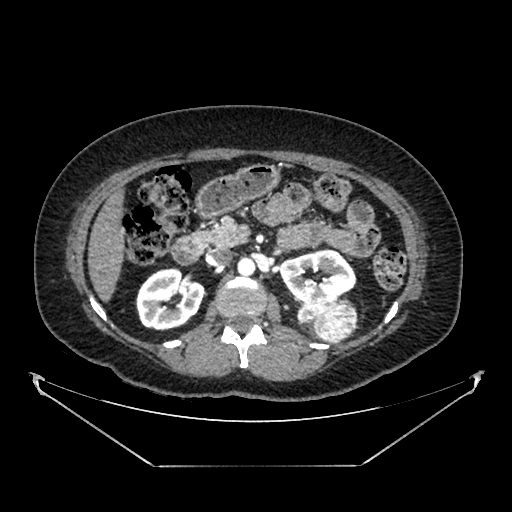
One axial slice (239 of 383, counting up from the lowest) of an arterial-phase abdominal CT acquired with 100 kVp, kernel SOFT; each pixel is 0.898 mm and the slice is 1.25 mm thick.
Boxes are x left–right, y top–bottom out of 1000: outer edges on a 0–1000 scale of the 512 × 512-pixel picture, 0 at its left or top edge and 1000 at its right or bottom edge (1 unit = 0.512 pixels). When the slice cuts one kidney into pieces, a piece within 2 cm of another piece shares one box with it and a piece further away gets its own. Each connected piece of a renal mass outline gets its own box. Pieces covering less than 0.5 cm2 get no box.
Two kidney boxes and one renal mass box on this slice; by box centre, from the image's left to its right: (1) Box x 264–400, y 523–646 out of 1000: right kidney (outlined area 3,269 px, about 26.4 cm2). (2) Box x 545–697, y 486–594 out of 1000: left kidney (outlined area 2,886 px, about 23.3 cm2). (3) Box x 580–699, y 570–672 out of 1000: left renal mass (outlined area 2,123 px, about 17.1 cm2).